One axial slice (128 of 270, counting up from the lowest) of an arterial-phase abdominal CT acquired with 100 kVp, kernel I40f; each pixel is 0.855 mm and the slice is 2.00 mm thick.
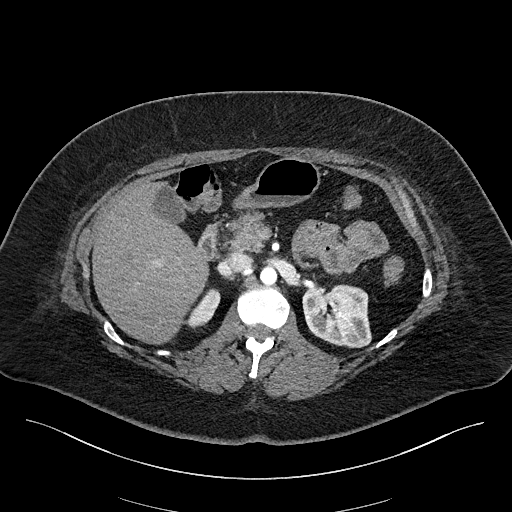
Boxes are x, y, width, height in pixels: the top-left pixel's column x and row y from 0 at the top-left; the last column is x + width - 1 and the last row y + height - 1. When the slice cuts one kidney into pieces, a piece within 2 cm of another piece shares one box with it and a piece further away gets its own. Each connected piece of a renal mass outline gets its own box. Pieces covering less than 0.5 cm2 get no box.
Two boxes on this slice (two kidney boxes), listed by box centre from the image's left to its right. (1) Box x 186, y 288, width 35, height 41: right kidney (outlined area 767 px, about 5.6 cm2). (2) Left kidney at x 302, y 283, width 70, height 66 (outlined area 3,619 px, about 26.5 cm2). This slice carries no renal mass outline.